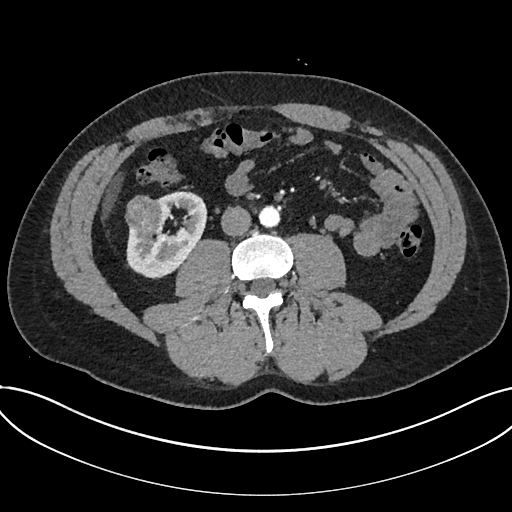
Arterial-phase contrast-enhanced abdominal CT, axial slice 331 of 735 (counted from the lowest slice); tube voltage 120 kVp, convolution kernel I30f; slices 1.00 mm thick, 0.789 mm per pixel.
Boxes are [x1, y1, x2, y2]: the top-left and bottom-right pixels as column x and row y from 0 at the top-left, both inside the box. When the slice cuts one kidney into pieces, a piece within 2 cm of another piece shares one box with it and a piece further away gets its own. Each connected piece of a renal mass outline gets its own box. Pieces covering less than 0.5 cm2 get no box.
Boxed on this slice (one kidney box and one renal mass box), listed by box centre from the image's left to its right: (1) Renal mass at [125, 195, 163, 234] (outlined area 1,249 px, about 7.8 cm2). (2) Kidney, box [126, 191, 207, 278] (outlined area 4,082 px, about 25.4 cm2).